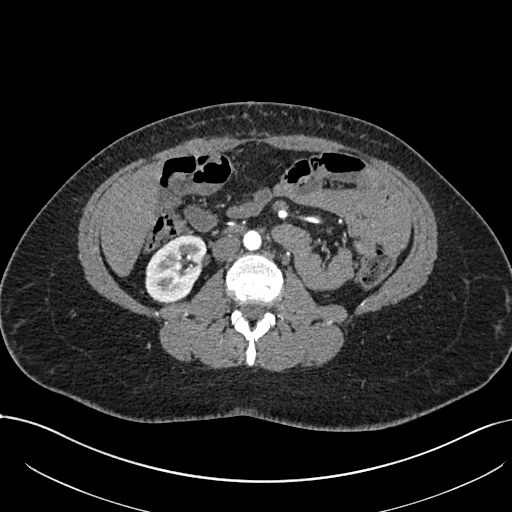
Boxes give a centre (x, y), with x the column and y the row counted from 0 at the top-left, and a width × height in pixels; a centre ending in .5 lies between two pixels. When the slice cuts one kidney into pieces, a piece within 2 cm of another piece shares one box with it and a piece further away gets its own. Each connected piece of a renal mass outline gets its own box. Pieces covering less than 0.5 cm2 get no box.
Slice 365/738 of a contrast-enhanced abdominal CT in the arterial phase, counting up from the lowest; pixel size 0.789 mm, slice thickness 1.00 mm. Right kidney, box centre (175.5, 268.5), 62 × 68 pixels (outlined area 3,083 px, about 19.2 cm2). No renal mass is outlined on this slice.
Acquired at 120 kVp and reconstructed with the I30f kernel.